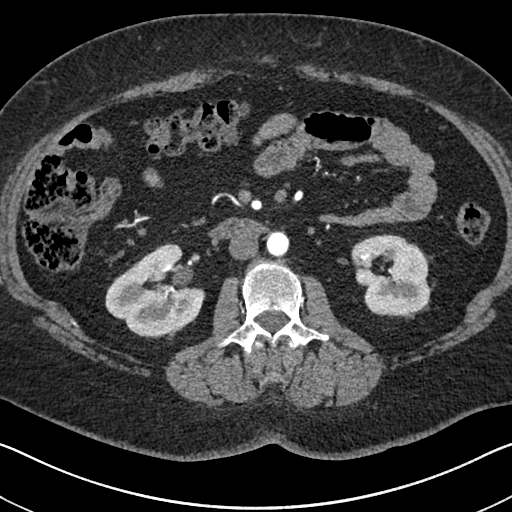
Axial slice 369 of 591 of a contrast-enhanced abdominal CT in the arterial phase (slice 1 is the lowest), 140 kVp, kernel I30f; 1.00 mm slice thickness and 0.703 mm pixels.
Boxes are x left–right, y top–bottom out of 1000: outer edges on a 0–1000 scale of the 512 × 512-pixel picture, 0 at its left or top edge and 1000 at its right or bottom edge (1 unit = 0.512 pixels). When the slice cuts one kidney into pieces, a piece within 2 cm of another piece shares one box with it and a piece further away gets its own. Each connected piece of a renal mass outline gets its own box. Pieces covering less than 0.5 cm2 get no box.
Two boxes on this slice (two kidney boxes), listed by box centre from the image's left to its right. (1) Right kidney, box x 205–402, y 475–664 out of 1000 (outlined area 6,255 px, about 30.9 cm2). (2) Left kidney at x 686–842, y 457–619 out of 1000 (outlined area 4,981 px, about 24.6 cm2). No renal mass is outlined on this slice.